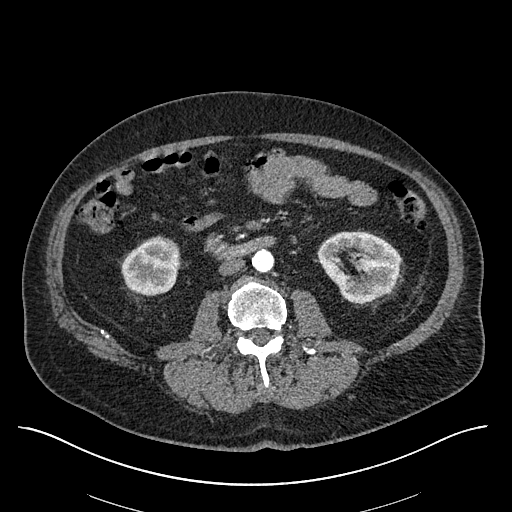
Abdominal CT with intravenous contrast, arterial phase, axial plane, 120 kVp, kernel I30f. Slice 273/670 from the bottom of the scan; thickness 1.00 mm; pixel size 0.861 mm.
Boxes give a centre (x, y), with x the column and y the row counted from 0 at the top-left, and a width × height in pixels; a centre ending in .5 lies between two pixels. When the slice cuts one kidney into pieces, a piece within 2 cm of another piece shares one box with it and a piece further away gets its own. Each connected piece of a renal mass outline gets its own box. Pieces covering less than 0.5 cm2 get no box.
Two boxes on this slice (two kidney boxes), listed by box centre from the image's left to its right. (1) Box centre (149.5, 265.5), 58 × 60 pixels: right kidney (outlined area 2,727 px, about 20.2 cm2). (2) Left kidney, box centre (358.5, 266.5), 84 × 72 pixels (outlined area 4,286 px, about 31.8 cm2). This slice carries no renal mass outline.